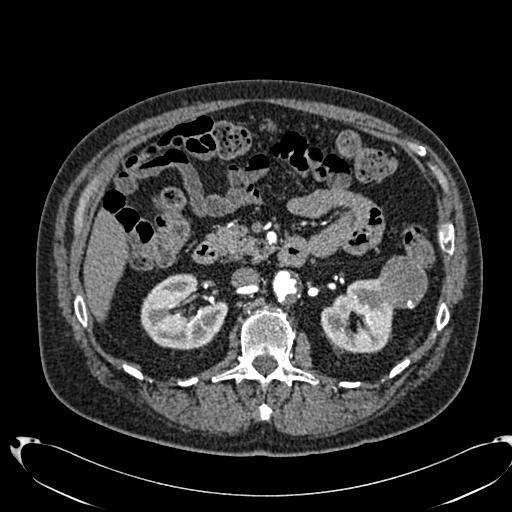
Arterial-phase contrast-enhanced abdominal CT, axial slice 432 of 553 (counted from the lowest slice); tube voltage 120 kVp, convolution kernel B20f; slices 1.00 mm thick, 0.773 mm per pixel.
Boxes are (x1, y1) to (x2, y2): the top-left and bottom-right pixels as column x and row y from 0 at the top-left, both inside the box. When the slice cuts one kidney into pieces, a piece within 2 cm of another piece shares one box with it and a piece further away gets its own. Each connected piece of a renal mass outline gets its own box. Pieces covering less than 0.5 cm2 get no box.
Three boxes on this slice (two kidney boxes and one renal mass box), listed by box centre from the image's left to its right. (1) Right kidney, box (140, 273) to (228, 349) (outlined area 4,770 px, about 28.5 cm2). (2) Left kidney from (321, 278) to (394, 353) (outlined area 3,798 px, about 22.7 cm2). (3) Left renal mass from (378, 255) to (427, 308) (outlined area 2,100 px, about 12.6 cm2).